Abdominal CT with intravenous contrast, arterial phase, axial plane, 100 kVp, kernel I40f. Slice 15/97 from the bottom of the scan; thickness 3.00 mm; pixel size 0.797 mm.
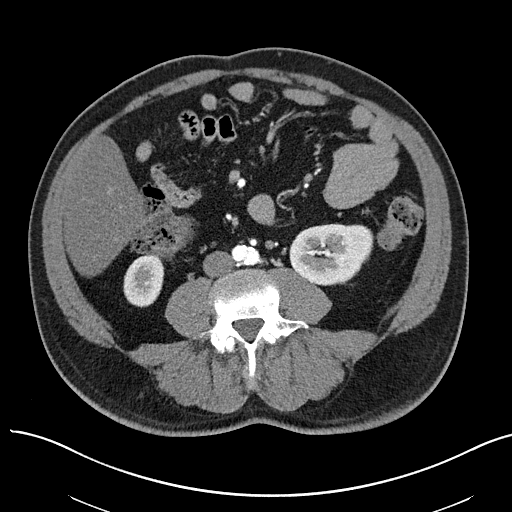
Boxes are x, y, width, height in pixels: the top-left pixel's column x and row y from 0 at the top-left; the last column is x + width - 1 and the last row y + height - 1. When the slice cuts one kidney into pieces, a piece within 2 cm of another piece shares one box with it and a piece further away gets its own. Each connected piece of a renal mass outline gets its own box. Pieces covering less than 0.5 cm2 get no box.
Boxed on this slice (two kidney boxes), listed by box centre from the image's left to its right: (1) Right kidney at x 123, y 254, width 42, height 54 (outlined area 1,720 px, about 10.9 cm2). (2) Left kidney, box x 289, y 223, width 85, height 63 (outlined area 4,189 px, about 26.6 cm2). No renal mass outline on this slice.